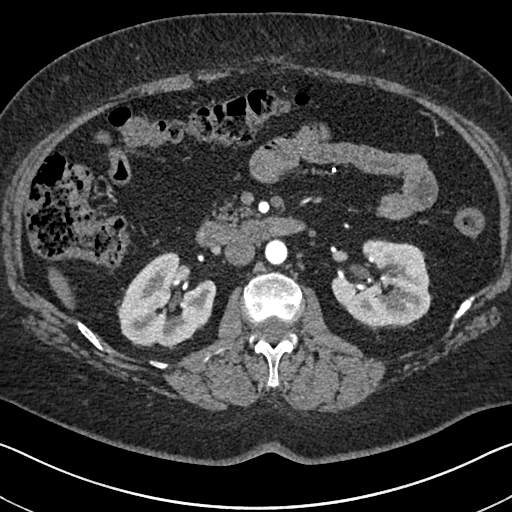
Axial slice 399 of 591 of a contrast-enhanced abdominal CT in the arterial phase (slice 1 is the lowest), 140 kVp, kernel I30f; 1.00 mm slice thickness and 0.703 mm pixels.
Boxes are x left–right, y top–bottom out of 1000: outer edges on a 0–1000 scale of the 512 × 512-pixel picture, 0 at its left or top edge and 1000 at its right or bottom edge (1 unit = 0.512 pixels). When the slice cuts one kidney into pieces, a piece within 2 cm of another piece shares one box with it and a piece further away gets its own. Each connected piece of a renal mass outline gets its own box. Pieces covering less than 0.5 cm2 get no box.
Two boxes on this slice (two kidney boxes), listed by box centre from the image's left to its right. (1) Right kidney at x 227–424, y 492–684 out of 1000 (outlined area 6,481 px, about 32.0 cm2). (2) Left kidney at x 646–844, y 467–646 out of 1000 (outlined area 6,470 px, about 32.0 cm2). This slice carries no renal mass outline.